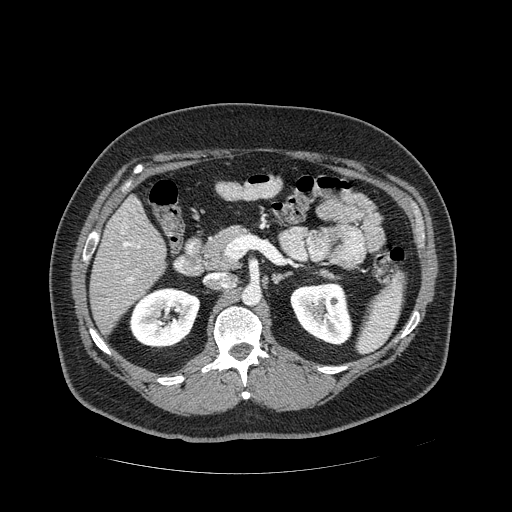
Abdominal CT with intravenous contrast, arterial phase, axial plane, 120 kVp, kernel STANDARD. Slice 271/389 from the bottom of the scan; thickness 1.25 mm; pixel size 0.869 mm.
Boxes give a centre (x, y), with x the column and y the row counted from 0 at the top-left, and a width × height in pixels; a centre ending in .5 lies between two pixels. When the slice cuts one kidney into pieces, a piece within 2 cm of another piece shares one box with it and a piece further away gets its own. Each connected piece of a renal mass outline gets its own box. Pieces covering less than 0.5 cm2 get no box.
Two boxes on this slice (two kidney boxes), listed by box centre from the image's left to its right. (1) Right kidney, box centre (164.5, 317.5), 72 × 62 pixels (outlined area 3,288 px, about 24.8 cm2). (2) Left kidney, box centre (321, 313.5), 63 × 64 pixels (outlined area 2,983 px, about 22.5 cm2). This slice carries no renal mass outline.